Arterial-phase contrast-enhanced abdominal CT, axial slice 361 of 581 (counted from the lowest slice); tube voltage 120 kVp, convolution kernel B30f; slices 1.00 mm thick, 0.713 mm per pixel.
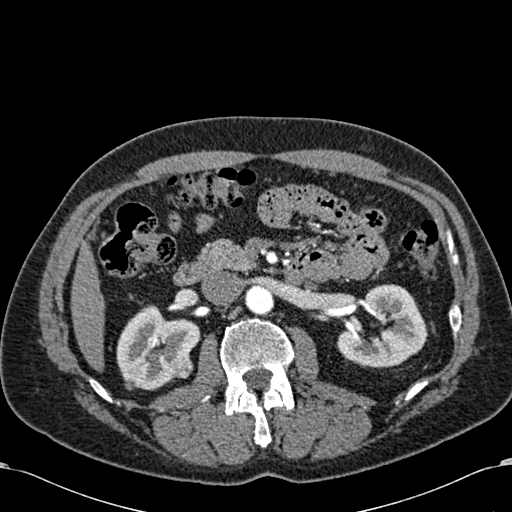
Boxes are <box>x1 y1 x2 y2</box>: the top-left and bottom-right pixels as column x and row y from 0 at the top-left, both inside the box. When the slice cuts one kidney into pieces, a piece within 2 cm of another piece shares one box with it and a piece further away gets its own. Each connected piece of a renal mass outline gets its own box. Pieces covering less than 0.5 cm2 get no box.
Three boxes on this slice (two kidney boxes and one renal mass box), listed by box centre from the image's left to its right. (1) At <box>116 305 200 390</box>: right kidney (outlined area 4,636 px, about 23.6 cm2). (2) At <box>168 352 193 378</box>: right renal mass (outlined area 522 px, about 2.7 cm2). (3) Left kidney at <box>337 284 426 368</box> (outlined area 5,080 px, about 25.8 cm2).